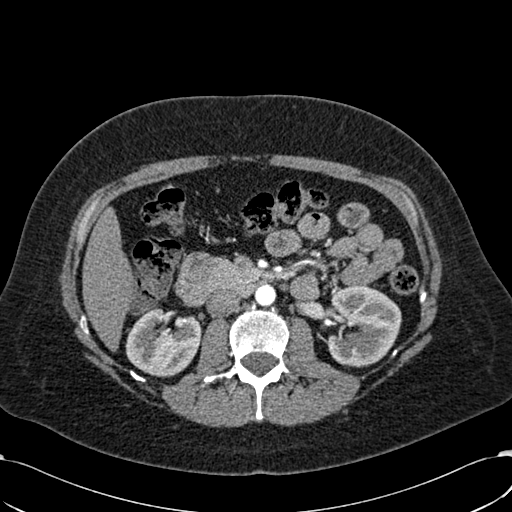
One axial slice (348 of 532, counting up from the lowest) of an arterial-phase abdominal CT acquired with 120 kVp, kernel B30f; each pixel is 0.713 mm and the slice is 1.00 mm thick.
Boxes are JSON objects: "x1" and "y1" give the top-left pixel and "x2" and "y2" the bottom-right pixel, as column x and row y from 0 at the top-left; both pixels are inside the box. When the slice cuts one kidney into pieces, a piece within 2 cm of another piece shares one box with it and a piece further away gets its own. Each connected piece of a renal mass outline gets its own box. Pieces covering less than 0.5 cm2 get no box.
Boxed on this slice (two kidney boxes), listed by box centre from the image's left to its right: (1) Right kidney at {"x1": 125, "y1": 306, "x2": 201, "y2": 377} (outlined area 3,960 px, about 20.1 cm2). (2) Box {"x1": 326, "y1": 285, "x2": 401, "y2": 367}: left kidney (outlined area 4,808 px, about 24.4 cm2). No renal mass is outlined on this slice.